Axial slice 59 of 101 of a contrast-enhanced abdominal CT (slice 1 is the lowest), 100 kVp, kernel I40f; 5.00 mm slice thickness and 0.684 mm pixels.
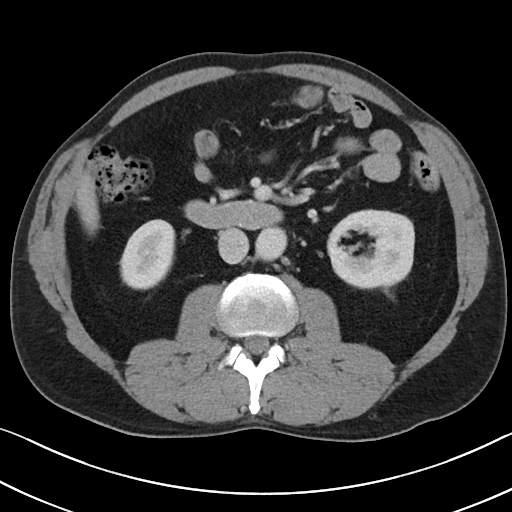
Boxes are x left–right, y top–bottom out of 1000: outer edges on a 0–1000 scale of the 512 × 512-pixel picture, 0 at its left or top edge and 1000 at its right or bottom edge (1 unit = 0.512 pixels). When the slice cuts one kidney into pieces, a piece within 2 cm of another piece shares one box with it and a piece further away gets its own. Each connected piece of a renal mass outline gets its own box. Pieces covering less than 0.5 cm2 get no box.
Two boxes on this slice (two kidney boxes), listed by box centre from the image's left to its right. (1) Right kidney, box x 232–344, y 428–568 out of 1000 (outlined area 3,059 px, about 14.3 cm2). (2) Box x 639–811, y 408–566 out of 1000: left kidney (outlined area 5,593 px, about 26.1 cm2). No renal mass is outlined on this slice.